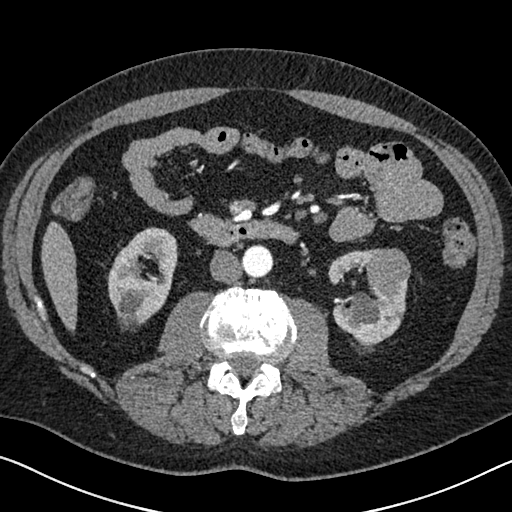
Axial slice 337 of 626 of a contrast-enhanced abdominal CT in the arterial phase (slice 1 is the lowest), 120 kVp, kernel I30f; 1.00 mm slice thickness and 0.703 mm pixels.
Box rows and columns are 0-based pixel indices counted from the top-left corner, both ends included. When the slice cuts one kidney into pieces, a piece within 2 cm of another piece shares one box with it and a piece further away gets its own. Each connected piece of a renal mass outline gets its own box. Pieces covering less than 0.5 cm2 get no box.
Boxed on this slice (two kidney boxes and one renal mass box), listed by box centre from the image's left to its right: (1) Right kidney, box rows 227–330, columns 107–178 (outlined area 4,852 px, about 24.0 cm2). (2) Left kidney, box rows 249–344, columns 328–408 (outlined area 4,196 px, about 20.7 cm2). (3) Box rows 248–287, columns 365–410: left renal mass (outlined area 1,469 px, about 7.3 cm2).